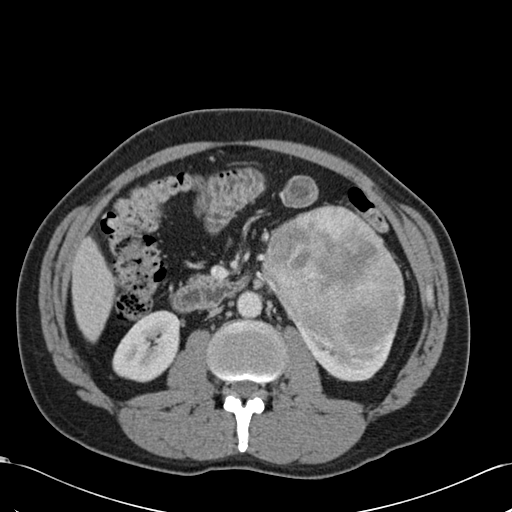
Arterial-phase contrast-enhanced abdominal CT, axial slice 60 of 99 (counted from the lowest slice); tube voltage 120 kVp, convolution kernel B30f; slices 5.00 mm thick, 0.693 mm per pixel.
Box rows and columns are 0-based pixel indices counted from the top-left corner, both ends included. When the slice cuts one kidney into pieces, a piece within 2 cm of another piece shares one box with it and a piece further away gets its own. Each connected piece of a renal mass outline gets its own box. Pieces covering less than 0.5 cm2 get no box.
Boxed on this slice (two kidney boxes and one renal mass box), listed by box centre from the image's left to its right: (1) Right kidney, box rows 310–382, columns 112–181 (outlined area 3,592 px, about 17.3 cm2). (2) Left renal mass at rows 205–349, columns 262–405 (outlined area 15,204 px, about 73.1 cm2). (3) Left kidney at rows 321–381, columns 292–397 (outlined area 2,439 px, about 11.7 cm2).